Abdominal CT with intravenous contrast, arterial phase, axial plane, 120 kVp, kernel I30f. Slice 464/683 from the bottom of the scan; thickness 1.00 mm; pixel size 0.738 mm.
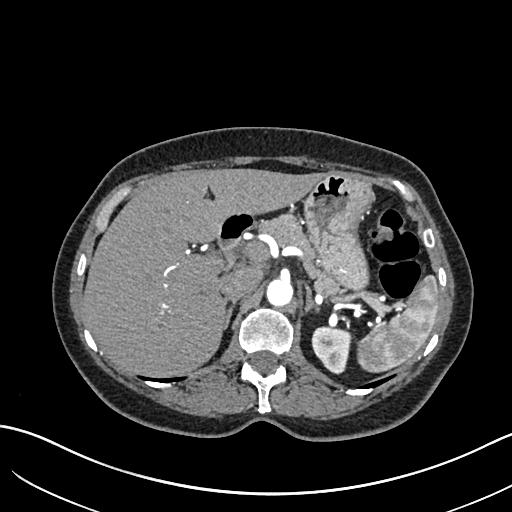
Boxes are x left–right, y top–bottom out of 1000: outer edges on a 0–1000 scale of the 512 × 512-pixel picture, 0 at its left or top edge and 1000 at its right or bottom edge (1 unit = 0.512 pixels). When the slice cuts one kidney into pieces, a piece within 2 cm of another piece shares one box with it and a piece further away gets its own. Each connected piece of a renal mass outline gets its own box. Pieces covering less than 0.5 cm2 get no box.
Box x 607–689, y 637–732 out of 1000: left kidney (outlined area 1,490 px, about 8.1 cm2). No renal mass outline on this slice.